Abdominal CT with intravenous contrast, arterial phase, axial plane, 120 kVp, kernel I30f. Slice 514/612 from the bottom of the scan; thickness 1.00 mm; pixel size 0.703 mm.
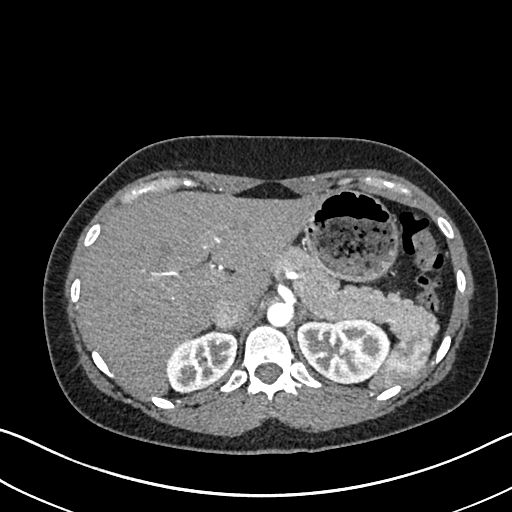
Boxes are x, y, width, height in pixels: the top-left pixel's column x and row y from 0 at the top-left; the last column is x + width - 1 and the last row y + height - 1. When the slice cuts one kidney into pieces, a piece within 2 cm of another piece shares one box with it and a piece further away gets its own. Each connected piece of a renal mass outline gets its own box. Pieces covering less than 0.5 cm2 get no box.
Two boxes on this slice (two kidney boxes), listed by box centre from the image's left to its right. (1) Box x 166, y 330, width 71, height 63: right kidney (outlined area 3,211 px, about 15.9 cm2). (2) Left kidney, box x 297, y 318, width 93, height 67 (outlined area 4,789 px, about 23.7 cm2). No renal mass is outlined on this slice.